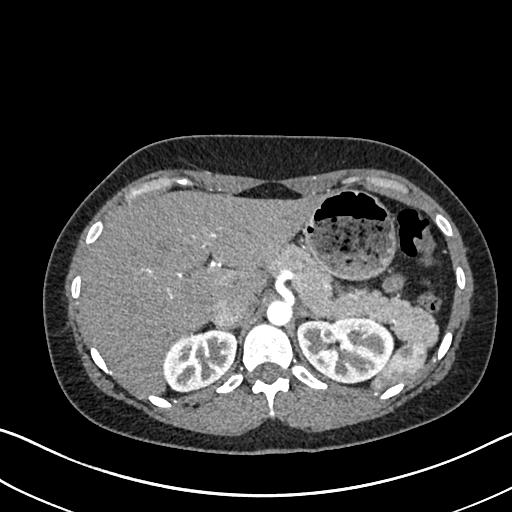
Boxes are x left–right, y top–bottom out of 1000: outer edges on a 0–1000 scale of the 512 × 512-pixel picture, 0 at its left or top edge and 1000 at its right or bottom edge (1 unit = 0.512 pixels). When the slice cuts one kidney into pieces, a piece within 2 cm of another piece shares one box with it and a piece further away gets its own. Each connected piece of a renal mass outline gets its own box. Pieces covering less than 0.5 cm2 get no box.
Slice 509/612 of a contrast-enhanced abdominal CT in the arterial phase, counting up from the lowest; pixel size 0.703 mm, slice thickness 1.00 mm. Two boxes on this slice (two kidney boxes), listed by box centre from the image's left to its right. (1) Right kidney at x 318–463, y 643–764 out of 1000 (outlined area 3,474 px, about 17.2 cm2). (2) Left kidney at x 580–771, y 619–748 out of 1000 (outlined area 5,000 px, about 24.7 cm2). No renal mass outline on this slice.
Acquired at 120 kVp and reconstructed with the I30f kernel.